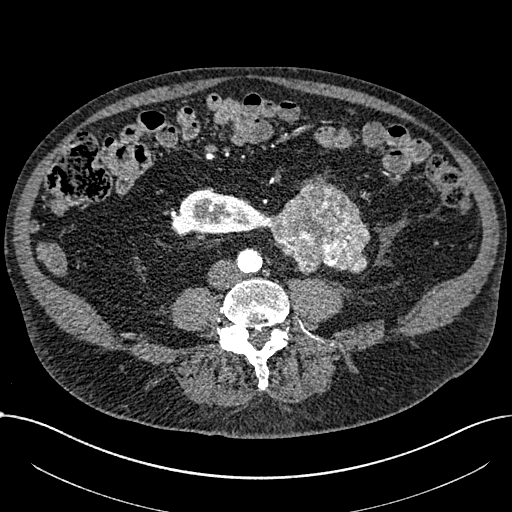
Abdominal CT with intravenous contrast, arterial phase, axial plane, 100 kVp, kernel I30f. Slice 240/1059 from the bottom of the scan; thickness 1.00 mm; pixel size 0.811 mm.
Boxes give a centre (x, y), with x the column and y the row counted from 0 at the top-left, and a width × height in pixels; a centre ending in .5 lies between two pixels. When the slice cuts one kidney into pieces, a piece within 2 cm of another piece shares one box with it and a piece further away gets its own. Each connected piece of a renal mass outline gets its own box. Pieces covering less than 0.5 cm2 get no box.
Boxed on this slice (one kidney box and one renal mass box), listed by box centre from the image's left to its right: (1) Right part of the midline-crossing kidney, box centre (220, 212), 99 × 45 pixels (outlined area 3,145 px, about 20.7 cm2). (2) Renal mass in a box with centre (319, 224.5), 103 × 100 pixels (outlined area 6,740 px, about 44.3 cm2).